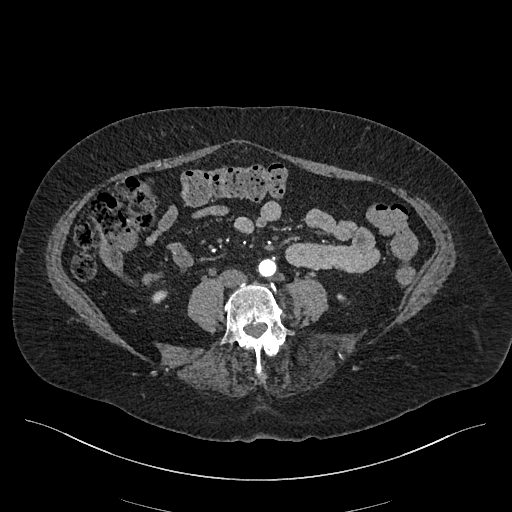
Abdominal CT with intravenous contrast, arterial phase, axial plane, 120 kVp, kernel I26f. Slice 144/548 from the bottom of the scan; thickness 1.00 mm; pixel size 0.852 mm.
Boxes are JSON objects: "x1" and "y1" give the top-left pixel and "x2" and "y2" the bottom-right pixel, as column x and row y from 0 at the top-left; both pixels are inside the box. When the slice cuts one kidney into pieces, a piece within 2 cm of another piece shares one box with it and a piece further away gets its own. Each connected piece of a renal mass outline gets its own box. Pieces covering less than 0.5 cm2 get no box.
Right kidney, box {"x1": 151, "y1": 290, "x2": 167, "y2": 303} (outlined area 156 px, about 1.1 cm2). No renal mass outline on this slice.